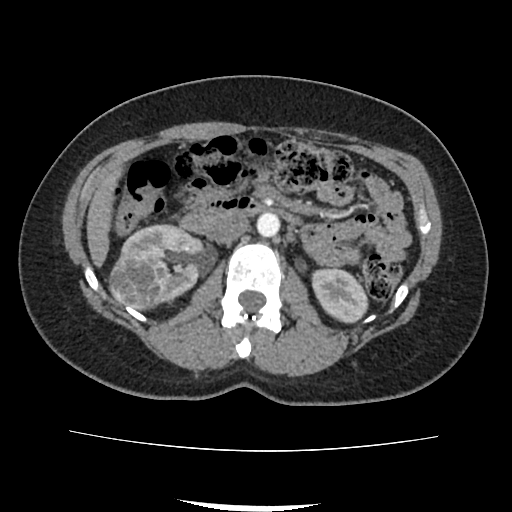
Abdominal CT with intravenous contrast, axial plane, 120 kVp, kernel FC18. Slice 46/103 from the bottom of the scan; thickness 3.00 mm; pixel size 0.714 mm.
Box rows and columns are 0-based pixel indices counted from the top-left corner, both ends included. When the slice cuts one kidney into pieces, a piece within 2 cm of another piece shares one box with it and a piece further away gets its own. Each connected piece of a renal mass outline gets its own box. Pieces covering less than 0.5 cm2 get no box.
Three boxes on this slice (two kidney boxes and one renal mass box), listed by box centre from the image's left to its right. (1) Right renal mass, box rows 257–309, columns 109–166 (outlined area 2,458 px, about 12.5 cm2). (2) Box rows 224–302, columns 119–204: right kidney (outlined area 3,606 px, about 18.4 cm2). (3) Left kidney at rows 267–323, columns 311–368 (outlined area 2,377 px, about 12.1 cm2).